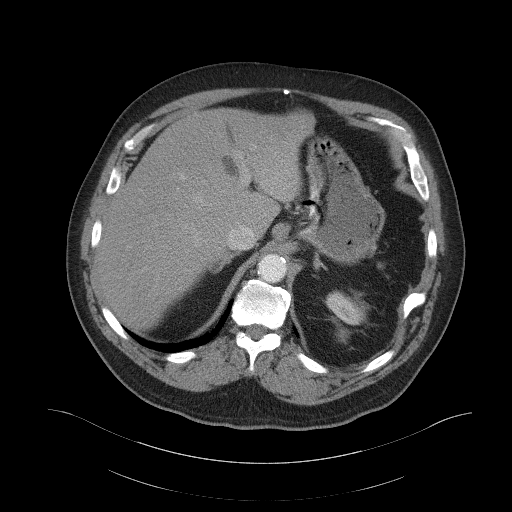
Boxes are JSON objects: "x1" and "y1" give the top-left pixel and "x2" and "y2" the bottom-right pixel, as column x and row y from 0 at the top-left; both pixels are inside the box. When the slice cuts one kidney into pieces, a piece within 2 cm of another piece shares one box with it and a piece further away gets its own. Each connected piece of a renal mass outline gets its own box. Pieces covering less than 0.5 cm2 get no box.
This is axial slice 85 of 103 (slice 1 is the lowest) of an arterial-phase abdominal CT with contrast; each pixel is 0.951 mm and the slice is 5.00 mm thick. Left kidney at {"x1": 325, "y1": 290, "x2": 367, "y2": 325} (outlined area 981 px, about 8.9 cm2). No renal mass outline on this slice.
Acquired at 120 kVp and reconstructed with the B41f kernel.